Arterial-phase contrast-enhanced abdominal CT, axial slice 529 of 634 (counted from the lowest slice); tube voltage 120 kVp, convolution kernel B20f; slices 1.00 mm thick, 0.838 mm per pixel.
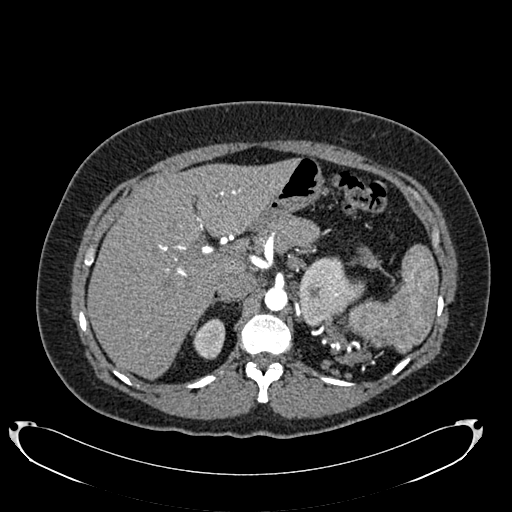
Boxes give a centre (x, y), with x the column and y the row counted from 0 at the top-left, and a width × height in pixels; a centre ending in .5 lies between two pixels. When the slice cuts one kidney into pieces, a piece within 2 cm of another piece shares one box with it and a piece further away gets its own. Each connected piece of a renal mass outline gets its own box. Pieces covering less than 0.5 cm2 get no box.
Two kidney boxes on this slice; by box centre, from the image's left to its right: (1) Box centre (209, 338.5), 33 × 42 pixels: right kidney (outlined area 1,006 px, about 7.1 cm2). (2) Left kidney in a box with centre (331.5, 291), 66 × 71 pixels (outlined area 3,040 px, about 21.3 cm2). No renal mass is outlined on this slice.